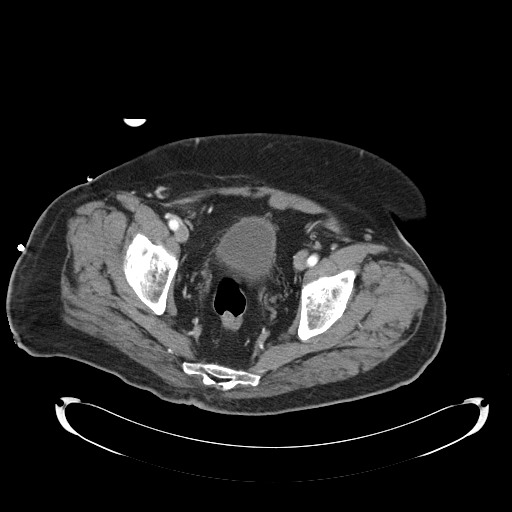
Contrast-enhanced abdominal CT, axial slice 22 of 92 (counted from the lowest slice); tube voltage 120 kVp, convolution kernel B30f; slices 5.00 mm thick, 0.918 mm per pixel.
Neither a kidney nor a renal mass is outlined here. Only kidneys and renal masses are outlined anywhere in this scan; other structures are never outlined.